Arterial-phase contrast-enhanced abdominal CT, axial slice 325 of 735 (counted from the lowest slice); tube voltage 120 kVp, convolution kernel I30f; slices 1.00 mm thick, 0.789 mm per pixel.
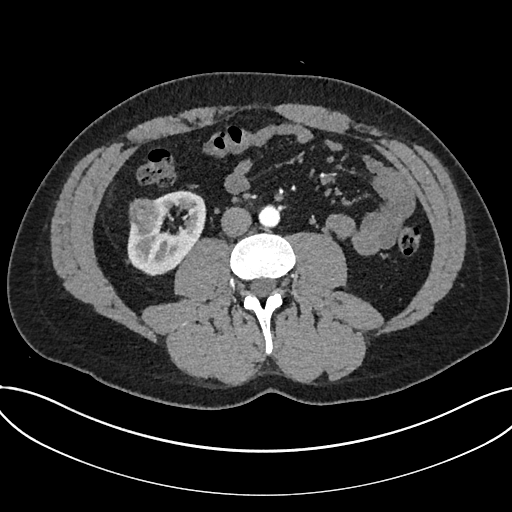
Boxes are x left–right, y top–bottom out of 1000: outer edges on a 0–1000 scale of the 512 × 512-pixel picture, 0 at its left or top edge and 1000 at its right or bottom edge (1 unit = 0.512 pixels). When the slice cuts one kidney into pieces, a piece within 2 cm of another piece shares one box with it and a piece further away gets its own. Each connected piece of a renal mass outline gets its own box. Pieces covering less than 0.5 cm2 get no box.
Two boxes on this slice (one kidney box and one renal mass box), listed by box centre from the image's left to its right. (1) Renal mass at x 252–320, y 387–455 out of 1000 (outlined area 984 px, about 6.1 cm2). (2) Kidney at x 248–404, y 371–539 out of 1000 (outlined area 3,917 px, about 24.4 cm2).